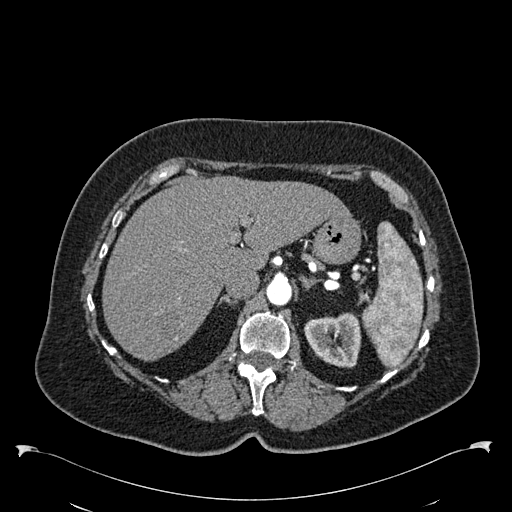
Arterial-phase contrast-enhanced abdominal CT, axial slice 412 of 538 (counted from the lowest slice); tube voltage 120 kVp, convolution kernel B30f; slices 1.00 mm thick, 0.811 mm per pixel.
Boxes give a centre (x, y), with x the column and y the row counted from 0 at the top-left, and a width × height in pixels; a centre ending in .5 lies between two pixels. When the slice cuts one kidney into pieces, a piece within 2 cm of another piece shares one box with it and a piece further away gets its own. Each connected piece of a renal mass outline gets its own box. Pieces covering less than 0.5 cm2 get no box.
Box centre (332, 339.5), 59 × 56 pixels: left kidney (outlined area 2,400 px, about 15.8 cm2). No renal mass outline on this slice.